Axial slice 48 of 325 of a contrast-enhanced abdominal CT in the arterial phase (slice 1 is the lowest), 100 kVp, kernel I30f; 1.00 mm slice thickness and 0.703 mm pixels.
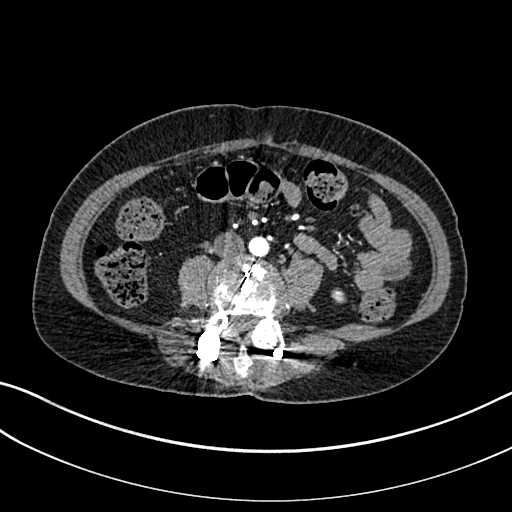
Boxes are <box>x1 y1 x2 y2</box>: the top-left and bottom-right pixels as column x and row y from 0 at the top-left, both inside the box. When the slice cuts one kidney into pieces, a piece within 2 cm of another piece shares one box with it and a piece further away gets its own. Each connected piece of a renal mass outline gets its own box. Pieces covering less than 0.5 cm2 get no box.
At <box>331 288 345 303</box>: left kidney (outlined area 173 px, about 0.9 cm2). This slice carries no renal mass outline.